Axial slice 135 of 325 of a contrast-enhanced abdominal CT in the arterial phase (slice 1 is the lowest), 100 kVp, kernel I30f; 1.00 mm slice thickness and 0.703 mm pixels.
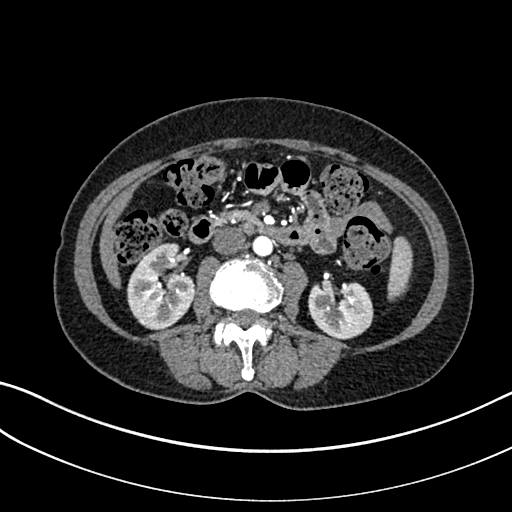
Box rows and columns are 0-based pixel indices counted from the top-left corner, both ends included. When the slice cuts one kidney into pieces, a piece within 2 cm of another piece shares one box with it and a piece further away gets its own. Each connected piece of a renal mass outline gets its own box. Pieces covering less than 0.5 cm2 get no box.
Two boxes on this slice (two kidney boxes), listed by box centre from the image's left to its right. (1) Box rows 243–330, columns 127–194: right kidney (outlined area 4,343 px, about 21.5 cm2). (2) Left kidney, box rows 282–339, columns 308–373 (outlined area 3,000 px, about 14.8 cm2). This slice carries no renal mass outline.